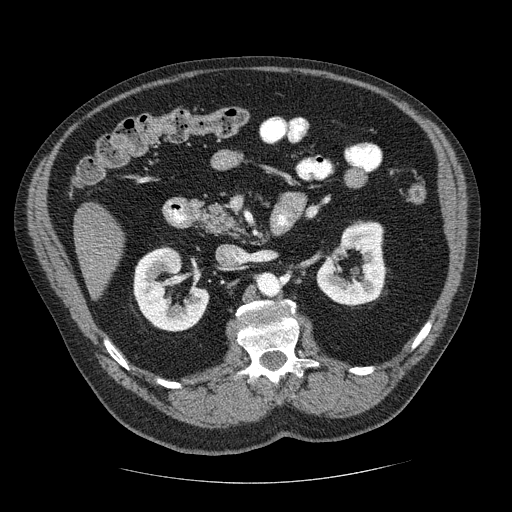
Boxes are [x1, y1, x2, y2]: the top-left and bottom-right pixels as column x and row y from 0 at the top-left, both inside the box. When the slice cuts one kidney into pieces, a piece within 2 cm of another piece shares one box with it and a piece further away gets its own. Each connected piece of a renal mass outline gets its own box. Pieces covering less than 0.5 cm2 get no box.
Contrast-enhanced abdominal CT, axial slice 136 of 206 (counted from the lowest slice); 2.50 mm thick, 0.879 mm per pixel. Three boxes on this slice (two kidney boxes and one renal mass box), listed by box centre from the image's left to its right. (1) Right renal mass at [157, 246, 182, 273] (outlined area 564 px, about 4.4 cm2). (2) Right kidney at [133, 248, 209, 331] (outlined area 3,823 px, about 29.5 cm2). (3) Box [316, 220, 387, 305]: left kidney (outlined area 4,131 px, about 31.9 cm2).
Acquired at 120 kVp and reconstructed with the STANDARD kernel.